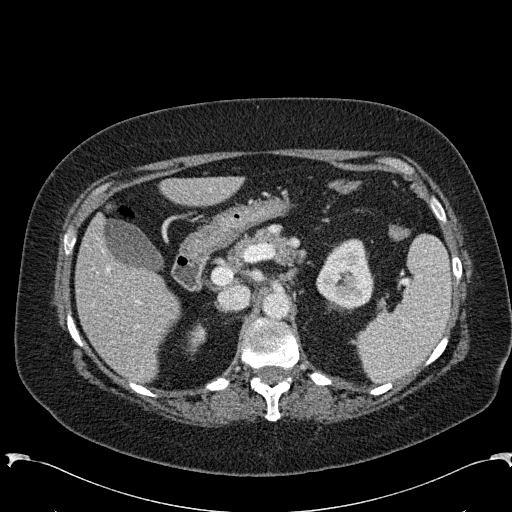
One axial slice (171 of 285, counting up from the lowest) of an arterial-phase abdominal CT acquired with 120 kVp, kernel B31f; each pixel is 0.762 mm and the slice is 2.00 mm thick.
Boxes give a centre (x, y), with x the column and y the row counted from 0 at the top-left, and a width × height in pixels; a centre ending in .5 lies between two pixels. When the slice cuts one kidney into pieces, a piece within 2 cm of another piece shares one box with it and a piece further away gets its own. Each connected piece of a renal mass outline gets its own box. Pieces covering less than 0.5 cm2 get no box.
Two kidney boxes on this slice; by box centre, from the image's left to its right: (1) Right kidney, box centre (196, 338.5), 21 × 32 pixels (outlined area 401 px, about 2.3 cm2). (2) Box centre (344, 274), 59 × 73 pixels: left kidney (outlined area 3,038 px, about 17.6 cm2). No renal mass is outlined on this slice.